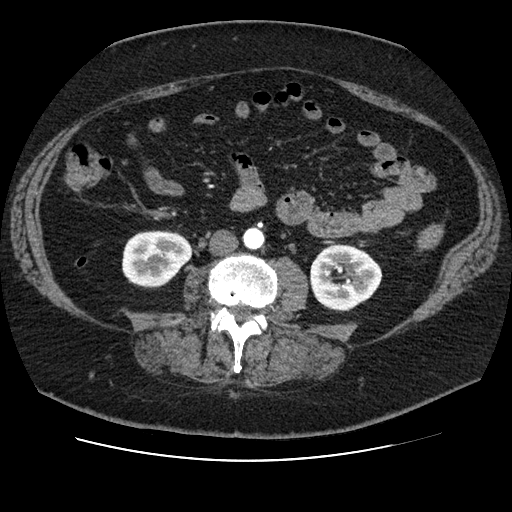
Axial slice 30 of 106 of a contrast-enhanced abdominal CT in the arterial phase (slice 1 is the lowest), 120 kVp, kernel STANDARD; 2.50 mm slice thickness and 0.742 mm pixels.
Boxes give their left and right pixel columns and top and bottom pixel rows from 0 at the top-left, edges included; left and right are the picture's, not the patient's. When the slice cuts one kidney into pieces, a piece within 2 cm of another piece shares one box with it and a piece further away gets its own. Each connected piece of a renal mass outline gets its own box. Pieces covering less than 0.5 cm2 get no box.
Two boxes on this slice (two kidney boxes), listed by box centre from the image's left to its right. (1) Right kidney, the box with left 122, top 230, right 193, bottom 288 (outlined area 3,193 px, about 17.6 cm2). (2) Box with left 310, top 243, right 382, bottom 311: left kidney (outlined area 3,734 px, about 20.6 cm2). This slice carries no renal mass outline.